Contrast-enhanced abdominal CT, axial slice 331 of 439 (counted from the lowest slice); tube voltage 100 kVp, convolution kernel I40f; slices 2.00 mm thick, 0.850 mm per pixel.
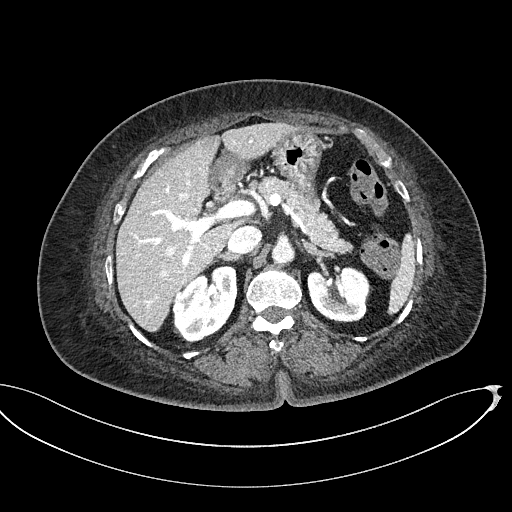
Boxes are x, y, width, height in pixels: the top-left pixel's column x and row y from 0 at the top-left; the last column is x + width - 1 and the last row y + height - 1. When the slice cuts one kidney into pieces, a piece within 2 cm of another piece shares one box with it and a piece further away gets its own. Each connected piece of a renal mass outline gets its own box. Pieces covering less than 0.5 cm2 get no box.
Boxed on this slice (two kidney boxes), listed by box centre from the image's left to its right: (1) Right kidney at x 172, y 265, width 66, height 81 (outlined area 3,572 px, about 25.8 cm2). (2) Box x 307, y 266, width 65, height 57: left kidney (outlined area 2,863 px, about 20.7 cm2).